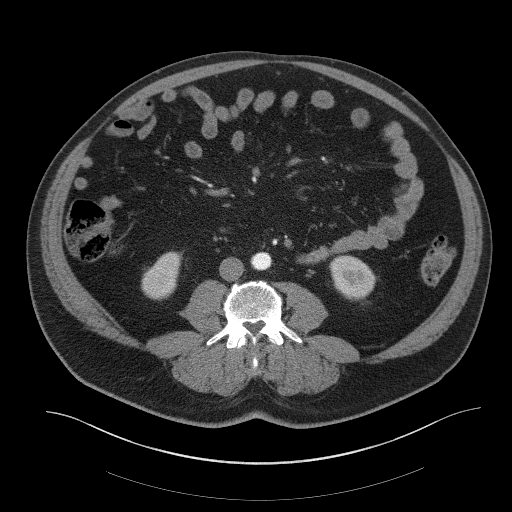
Abdominal CT with intravenous contrast, axial plane, 140 kVp, kernel B41f. Slice 9/61 from the bottom of the scan; thickness 3.00 mm; pixel size 0.939 mm.
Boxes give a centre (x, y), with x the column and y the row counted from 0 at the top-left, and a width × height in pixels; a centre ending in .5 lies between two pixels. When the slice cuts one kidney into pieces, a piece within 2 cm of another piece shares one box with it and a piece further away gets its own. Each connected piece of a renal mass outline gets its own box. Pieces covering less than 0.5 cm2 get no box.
Boxed on this slice (two kidney boxes), listed by box centre from the image's left to its right: (1) Right kidney, box centre (161.5, 275.5), 42 × 50 pixels (outlined area 1,425 px, about 12.6 cm2). (2) Left kidney in a box with centre (352.5, 277.5), 48 × 46 pixels (outlined area 1,611 px, about 14.2 cm2). No renal mass is outlined on this slice.